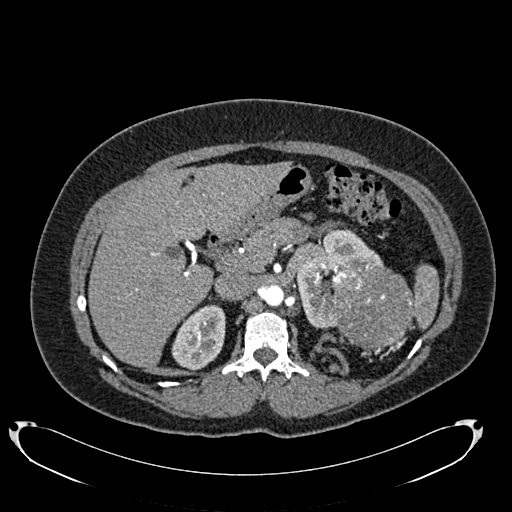
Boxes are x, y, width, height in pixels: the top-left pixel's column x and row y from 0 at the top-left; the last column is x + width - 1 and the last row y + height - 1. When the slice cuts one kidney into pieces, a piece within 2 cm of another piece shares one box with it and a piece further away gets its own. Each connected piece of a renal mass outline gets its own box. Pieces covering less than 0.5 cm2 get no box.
This is axial slice 500 of 634 (slice 1 is the lowest) of an arterial-phase abdominal CT with contrast; each pixel is 0.838 mm and the slice is 1.00 mm thick. Three boxes on this slice (two kidney boxes and one renal mass box), listed by box centre from the image's left to its right. (1) Right kidney at x 171, y 304, width 55, height 68 (outlined area 2,629 px, about 18.5 cm2). (2) Box x 295, y 228, width 89, height 100: left kidney (outlined area 3,752 px, about 26.3 cm2). (3) Left renal mass, box x 330, y 264, width 83, height 87 (outlined area 5,823 px, about 40.9 cm2).
Tube voltage 120 kVp; convolution kernel B20f.